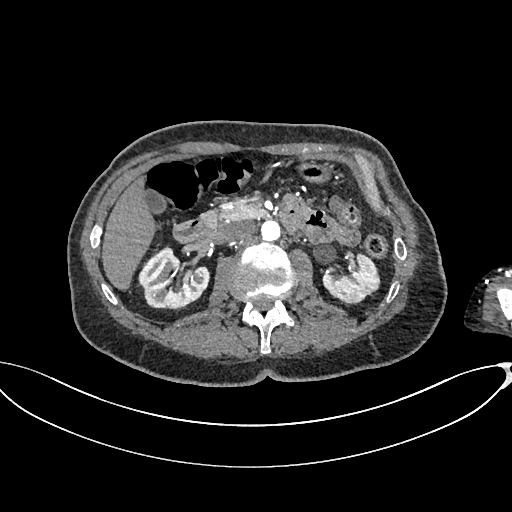
Abdominal CT with intravenous contrast, arterial phase, axial plane, 100 kVp, kernel I26f. Slice 398/665 from the bottom of the scan; thickness 1.00 mm; pixel size 0.828 mm.
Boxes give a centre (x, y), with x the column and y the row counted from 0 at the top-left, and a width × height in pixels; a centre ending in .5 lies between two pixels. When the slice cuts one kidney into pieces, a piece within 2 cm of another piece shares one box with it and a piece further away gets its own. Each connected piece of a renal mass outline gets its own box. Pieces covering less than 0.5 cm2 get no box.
Two kidney boxes on this slice; by box centre, from the image's left to its right: (1) Box centre (173, 277), 73 × 65 pixels: right kidney (outlined area 3,208 px, about 22.0 cm2). (2) Left kidney in a box with centre (351, 278), 59 × 53 pixels (outlined area 2,082 px, about 14.3 cm2). This slice carries no renal mass outline.